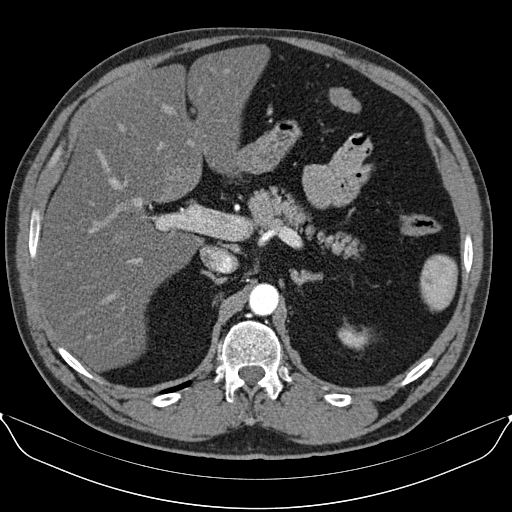
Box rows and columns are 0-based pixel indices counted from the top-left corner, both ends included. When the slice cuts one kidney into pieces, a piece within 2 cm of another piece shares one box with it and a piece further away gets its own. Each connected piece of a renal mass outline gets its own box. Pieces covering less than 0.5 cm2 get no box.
This is axial slice 72 of 96 (slice 1 is the lowest) of an arterial-phase abdominal CT with contrast; each pixel is 0.781 mm and the slice is 3.00 mm thick. Box rows 320–350, columns 337–371: left kidney (outlined area 602 px, about 3.7 cm2). No renal mass outline on this slice.
Scan settings: 130 kVp, B30s reconstruction kernel.